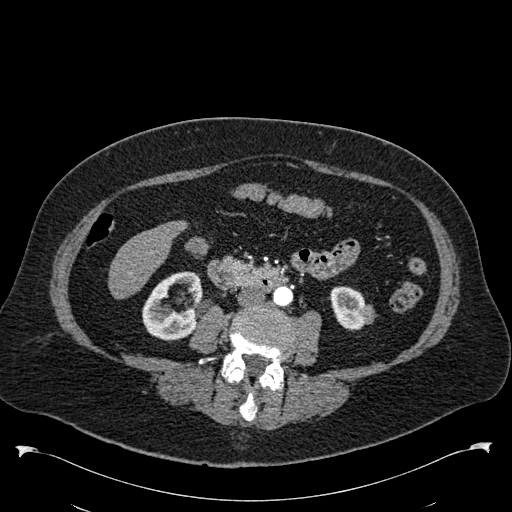
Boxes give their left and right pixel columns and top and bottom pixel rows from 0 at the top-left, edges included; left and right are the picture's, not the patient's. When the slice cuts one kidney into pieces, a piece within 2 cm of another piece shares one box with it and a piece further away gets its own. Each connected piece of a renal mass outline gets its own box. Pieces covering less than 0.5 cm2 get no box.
This is axial slice 248 of 538 (slice 1 is the lowest) of an arterial-phase abdominal CT with contrast; each pixel is 0.811 mm and the slice is 1.00 mm thick. Three boxes on this slice (two kidney boxes and one renal mass box), listed by box centre from the image's left to its right. (1) Right kidney in the box with left 142, top 271, right 202, bottom 341 (outlined area 2,908 px, about 19.1 cm2). (2) Left kidney, the box with left 329, top 286, right 365, bottom 330 (outlined area 1,204 px, about 7.9 cm2). (3) Left renal mass, the box with left 357, top 304, right 376, bottom 324 (outlined area 254 px, about 1.7 cm2).
Scan settings: 120 kVp, B30f reconstruction kernel.